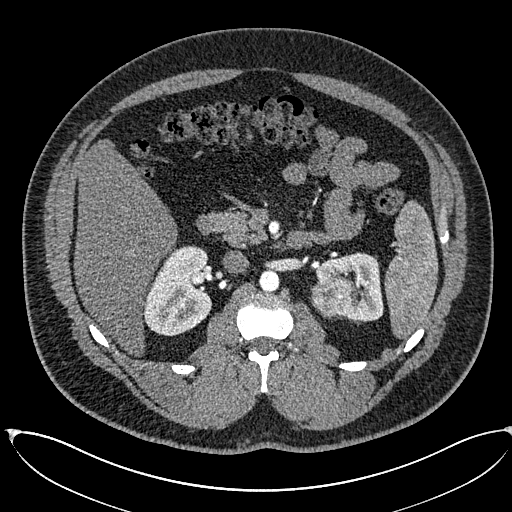
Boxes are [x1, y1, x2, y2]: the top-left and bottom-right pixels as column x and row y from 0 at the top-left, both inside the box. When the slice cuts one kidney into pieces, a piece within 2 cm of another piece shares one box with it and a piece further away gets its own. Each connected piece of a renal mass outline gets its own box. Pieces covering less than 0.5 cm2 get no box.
This is axial slice 378 of 673 (slice 1 is the lowest) of an arterial-phase abdominal CT with contrast; each pixel is 0.855 mm and the slice is 1.00 mm thick. Boxed on this slice (two kidney boxes and one renal mass box), listed by box centre from the image's left to its right: (1) Box [143, 245, 212, 336]: right kidney (outlined area 4,686 px, about 34.3 cm2). (2) Box [310, 275, 357, 318]: left renal mass (outlined area 1,615 px, about 11.8 cm2). (3) Left kidney, box [315, 252, 383, 322] (outlined area 2,491 px, about 18.2 cm2).
Tube voltage 120 kVp; convolution kernel I30f.